Abdominal CT with intravenous contrast, axial plane, 140 kVp, kernel I30f. Slice 452/787 from the bottom of the scan; thickness 1.00 mm; pixel size 0.910 mm.
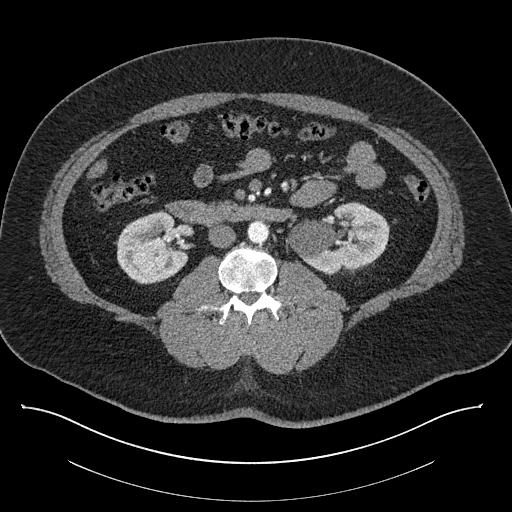
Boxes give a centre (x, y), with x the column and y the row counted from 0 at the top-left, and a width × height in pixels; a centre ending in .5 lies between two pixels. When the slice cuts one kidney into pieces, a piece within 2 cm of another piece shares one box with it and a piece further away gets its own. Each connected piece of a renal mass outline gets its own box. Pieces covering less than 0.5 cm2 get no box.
Two kidney boxes on this slice; by box centre, from the image's left to its right: (1) Right kidney, box centre (151.5, 247), 74 × 75 pixels (outlined area 3,948 px, about 32.7 cm2). (2) Box centre (337.5, 237), 104 × 71 pixels: left kidney (outlined area 5,061 px, about 41.9 cm2). No renal mass is outlined on this slice.